One axial slice (442 of 723, counting up from the lowest) of an arterial-phase abdominal CT acquired with 120 kVp, kernel B30f; each pixel is 0.895 mm and the slice is 1.00 mm thick.
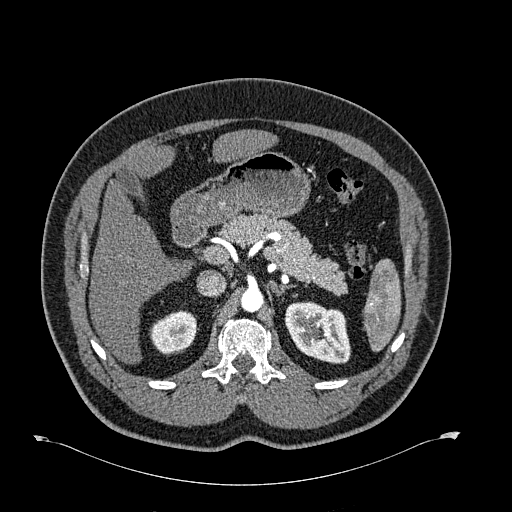
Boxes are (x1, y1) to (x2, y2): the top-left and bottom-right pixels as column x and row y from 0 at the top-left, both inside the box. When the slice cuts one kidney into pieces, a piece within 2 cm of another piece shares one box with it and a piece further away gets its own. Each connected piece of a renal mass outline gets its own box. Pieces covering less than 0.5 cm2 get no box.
Two boxes on this slice (two kidney boxes), listed by box centre from the image's left to its right. (1) Box (149, 310) to (197, 355): right kidney (outlined area 1,620 px, about 13.0 cm2). (2) Left kidney, box (285, 301) to (350, 363) (outlined area 3,114 px, about 24.9 cm2). No renal mass outline on this slice.